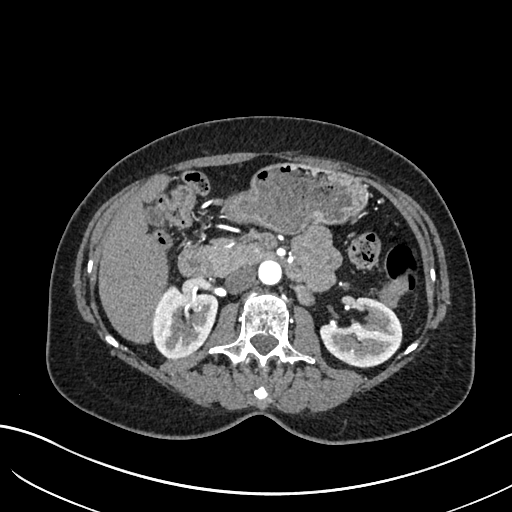
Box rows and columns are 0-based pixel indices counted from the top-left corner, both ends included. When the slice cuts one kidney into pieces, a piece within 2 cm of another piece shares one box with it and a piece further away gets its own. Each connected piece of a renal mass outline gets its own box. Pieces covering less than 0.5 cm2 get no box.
This is axial slice 379 of 683 (slice 1 is the lowest) of an arterial-phase abdominal CT with contrast; each pixel is 0.738 mm and the slice is 1.00 mm thick. Boxed on this slice (two kidney boxes), listed by box centre from the image's left to its right: (1) Box rows 284–358, columns 152–218: right kidney (outlined area 3,748 px, about 20.4 cm2). (2) Left kidney, box rows 296–367, columns 320–401 (outlined area 3,944 px, about 21.5 cm2). No renal mass outline on this slice.
Tube voltage 120 kVp; convolution kernel I30f.